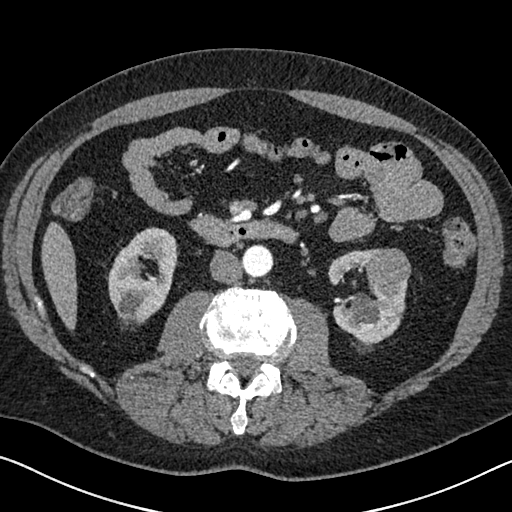
Axial slice 336 of 626 of a contrast-enhanced abdominal CT in the arterial phase (slice 1 is the lowest), 120 kVp, kernel I30f; 1.00 mm slice thickness and 0.703 mm pixels.
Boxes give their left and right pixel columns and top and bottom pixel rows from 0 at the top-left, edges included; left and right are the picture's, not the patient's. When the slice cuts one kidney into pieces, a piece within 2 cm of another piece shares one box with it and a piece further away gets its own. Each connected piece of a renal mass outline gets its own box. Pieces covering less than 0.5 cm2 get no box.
Two kidney boxes and one renal mass box on this slice; by box centre, from the image's left to its right: (1) Right kidney in the box with left 107, top 227, right 178, bottom 325 (outlined area 4,742 px, about 23.4 cm2). (2) Box with left 328, top 249, right 407, bottom 343: left kidney (outlined area 4,224 px, about 20.9 cm2). (3) Box with left 366, top 248, right 411, bottom 285: left renal mass (outlined area 1,381 px, about 6.8 cm2).